Arterial-phase contrast-enhanced abdominal CT, axial slice 457 of 1059 (counted from the lowest slice); tube voltage 100 kVp, convolution kernel I30f; slices 1.00 mm thick, 0.811 mm per pixel.
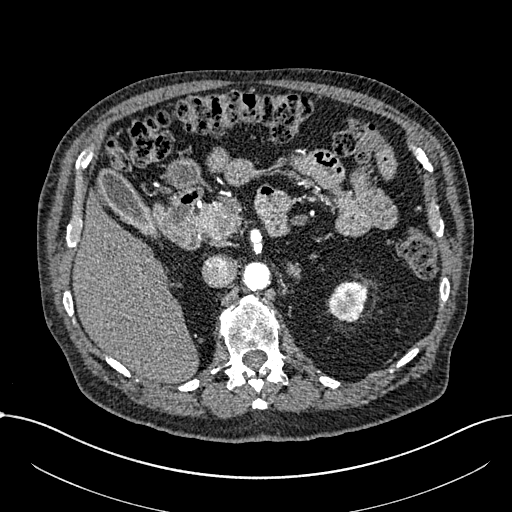
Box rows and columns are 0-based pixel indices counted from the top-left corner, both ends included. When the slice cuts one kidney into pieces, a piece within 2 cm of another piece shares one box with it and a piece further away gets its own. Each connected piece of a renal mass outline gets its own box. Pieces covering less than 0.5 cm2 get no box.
Left part of the midline-crossing kidney at rows 280–322, columns 326–368 (outlined area 1,304 px, about 8.6 cm2). No renal mass outline on this slice.